One axial slice (280 of 389, counting up from the lowest) of an arterial-phase abdominal CT acquired with 120 kVp, kernel STANDARD; each pixel is 0.869 mm and the slice is 1.25 mm thick.
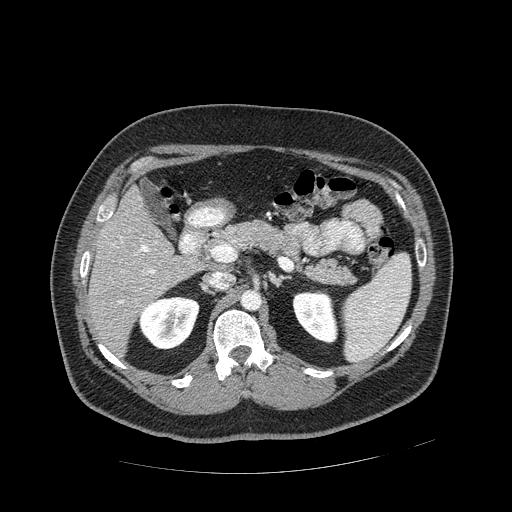
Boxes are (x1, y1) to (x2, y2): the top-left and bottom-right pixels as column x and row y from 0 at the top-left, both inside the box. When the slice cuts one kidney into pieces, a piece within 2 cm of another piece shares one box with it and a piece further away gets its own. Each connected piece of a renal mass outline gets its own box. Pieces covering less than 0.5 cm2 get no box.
Boxed on this slice (two kidney boxes), listed by box centre from the image's left to its right: (1) Box (138, 296) to (199, 349): right kidney (outlined area 2,510 px, about 19.0 cm2). (2) Left kidney from (292, 289) to (338, 343) (outlined area 1,853 px, about 14.0 cm2). No renal mass outline on this slice.